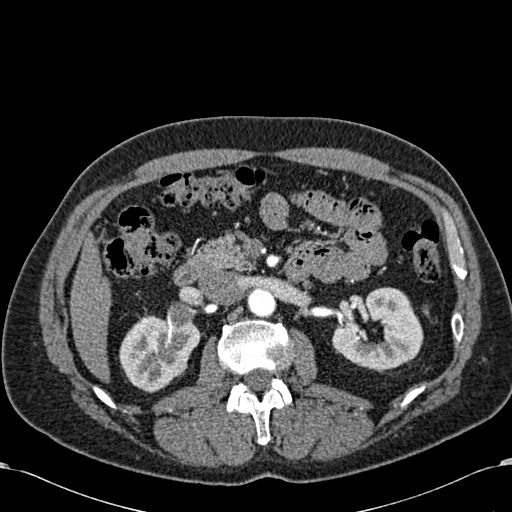
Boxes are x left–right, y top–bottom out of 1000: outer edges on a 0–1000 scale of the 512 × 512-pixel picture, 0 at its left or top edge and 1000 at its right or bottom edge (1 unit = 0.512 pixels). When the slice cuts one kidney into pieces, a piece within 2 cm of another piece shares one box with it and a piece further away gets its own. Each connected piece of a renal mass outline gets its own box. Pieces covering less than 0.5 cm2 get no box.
This is axial slice 371 of 581 (slice 1 is the lowest) of an arterial-phase abdominal CT with contrast; each pixel is 0.713 mm and the slice is 1.00 mm thick. Boxed on this slice (two kidney boxes), listed by box centre from the image's left to its right: (1) Right kidney at x 232–393, y 615–768 out of 1000 (outlined area 4,472 px, about 22.7 cm2). (2) Box x 648–828, y 561–725 out of 1000: left kidney (outlined area 5,146 px, about 26.2 cm2).
Acquired at 120 kVp and reconstructed with the B30f kernel.